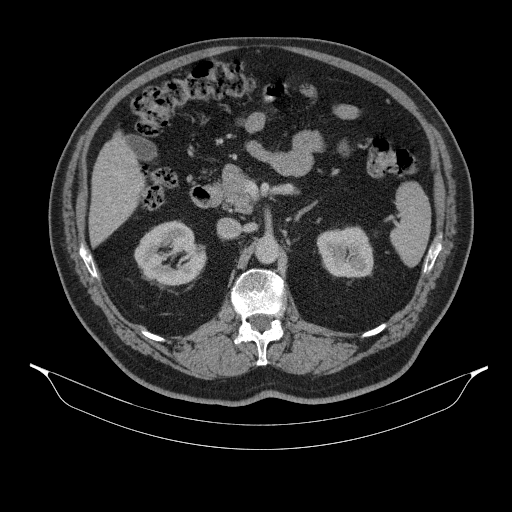
Axial slice 214 of 314 of a contrast-enhanced abdominal CT (slice 1 is the lowest), 130 kVp, kernel B31s; 2.50 mm slice thickness and 0.934 mm pixels.
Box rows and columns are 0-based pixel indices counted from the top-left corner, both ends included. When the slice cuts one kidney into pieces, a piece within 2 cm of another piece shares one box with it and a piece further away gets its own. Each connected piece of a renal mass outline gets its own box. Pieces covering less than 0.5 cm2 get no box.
Two kidney boxes on this slice; by box centre, from the image's left to its right: (1) Right kidney, box rows 220–285, columns 134–206 (outlined area 3,437 px, about 30.0 cm2). (2) Left kidney, box rows 226–277, columns 316–373 (outlined area 2,348 px, about 20.5 cm2). This slice carries no renal mass outline.